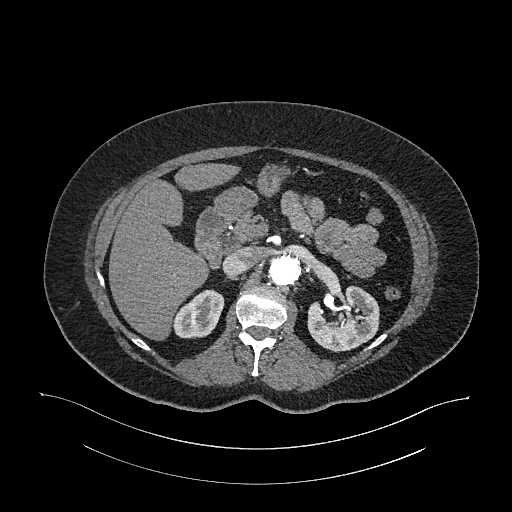
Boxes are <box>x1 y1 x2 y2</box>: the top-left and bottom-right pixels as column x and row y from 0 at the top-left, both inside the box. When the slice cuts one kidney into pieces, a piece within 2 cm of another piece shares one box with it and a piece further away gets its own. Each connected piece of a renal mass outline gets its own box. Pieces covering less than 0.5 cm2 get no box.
This is axial slice 707 of 987 (slice 1 is the lowest) of an arterial-phase abdominal CT with contrast; each pixel is 0.977 mm and the slice is 1.00 mm thick. Boxed on this slice (two kidney boxes), listed by box centre from the image's left to its right: (1) Right kidney: <box>172 289 223 338</box> (outlined area 1,803 px, about 17.2 cm2). (2) Left kidney: <box>307 285 379 352</box> (outlined area 3,525 px, about 33.6 cm2). This slice carries no renal mass outline.
Tube voltage 120 kVp; convolution kernel I26f.